Abdominal CT with intravenous contrast, arterial phase, axial plane, 120 kVp, kernel B30f. Slice 340/581 from the bottom of the scan; thickness 1.00 mm; pixel size 0.713 mm.
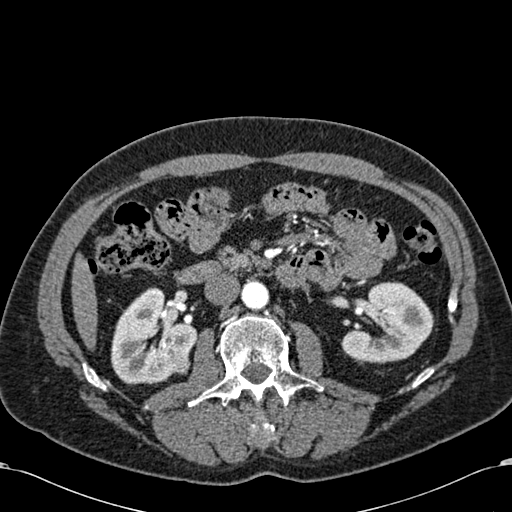
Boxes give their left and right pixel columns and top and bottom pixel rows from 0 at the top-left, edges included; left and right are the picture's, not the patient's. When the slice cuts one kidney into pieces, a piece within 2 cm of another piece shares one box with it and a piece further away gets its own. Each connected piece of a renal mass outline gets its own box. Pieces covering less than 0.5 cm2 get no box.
Boxed on this slice (two kidney boxes and one renal mass box), listed by box centre from the image's left to its right: (1) Right kidney in the box with left 111, top 287, right 197, bottom 384 (outlined area 5,641 px, about 28.7 cm2). (2) Right renal mass, the box with left 168, top 352, right 190, bottom 374 (outlined area 415 px, about 2.1 cm2). (3) Box with left 341, top 281, right 434, bottom 362: left kidney (outlined area 5,169 px, about 26.3 cm2).